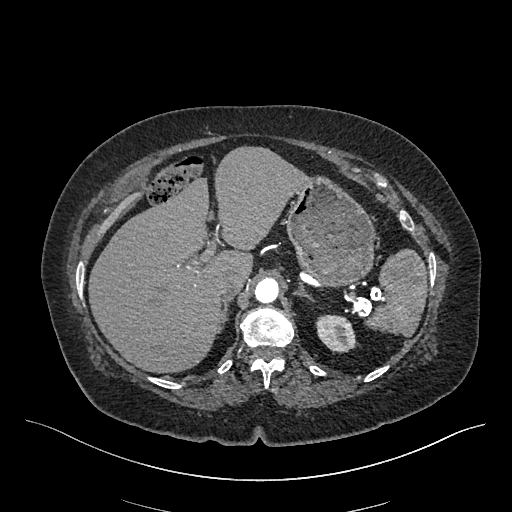
Abdominal CT with intravenous contrast, arterial phase, axial plane, 120 kVp, kernel I26f. Slice 357/548 from the bottom of the scan; thickness 1.00 mm; pixel size 0.852 mm.
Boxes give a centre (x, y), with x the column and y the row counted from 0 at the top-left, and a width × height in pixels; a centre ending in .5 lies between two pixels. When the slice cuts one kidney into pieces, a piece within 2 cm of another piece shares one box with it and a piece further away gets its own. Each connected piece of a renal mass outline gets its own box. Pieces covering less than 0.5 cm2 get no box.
Left kidney, box centre (335.5, 333.5), 42 × 38 pixels (outlined area 1,202 px, about 8.7 cm2). This slice carries no renal mass outline.